Abdominal CT with intravenous contrast, arterial phase, axial plane, 120 kVp, kernel I30f. Slice 512/612 from the bottom of the scan; thickness 1.00 mm; pixel size 0.703 mm.
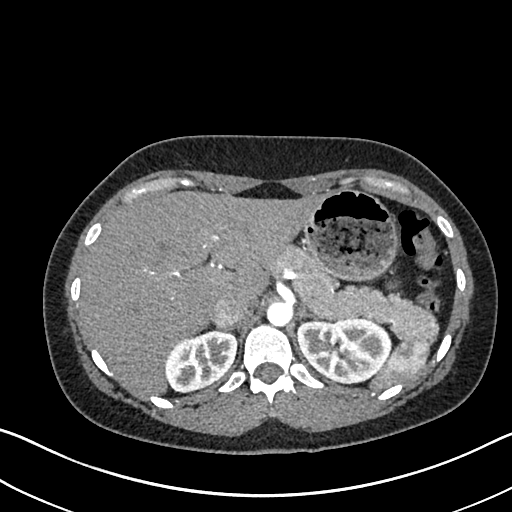
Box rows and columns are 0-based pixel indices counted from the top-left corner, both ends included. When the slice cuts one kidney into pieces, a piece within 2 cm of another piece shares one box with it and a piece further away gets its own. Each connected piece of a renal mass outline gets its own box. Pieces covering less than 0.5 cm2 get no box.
Two boxes on this slice (two kidney boxes), listed by box centre from the image's left to its right. (1) Right kidney, box rows 330–392, columns 165–236 (outlined area 3,275 px, about 16.2 cm2). (2) Left kidney, box rows 318–384, columns 297–391 (outlined area 4,891 px, about 24.2 cm2). No renal mass outline on this slice.